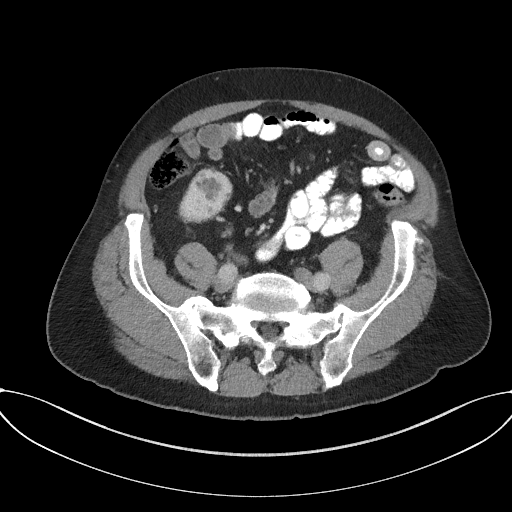
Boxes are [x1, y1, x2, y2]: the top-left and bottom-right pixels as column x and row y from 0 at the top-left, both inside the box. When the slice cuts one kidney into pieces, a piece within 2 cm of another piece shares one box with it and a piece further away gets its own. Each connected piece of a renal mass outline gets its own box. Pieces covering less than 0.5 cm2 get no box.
This is axial slice 60 of 227 (slice 1 is the lowest) of an arterial-phase abdominal CT with contrast; each pixel is 0.816 mm and the slice is 3.00 mm thick. Right kidney, box [179, 168, 232, 222] (outlined area 2,099 px, about 14.0 cm2). No renal mass outline on this slice.
Scan settings: 120 kVp, I31f reconstruction kernel.